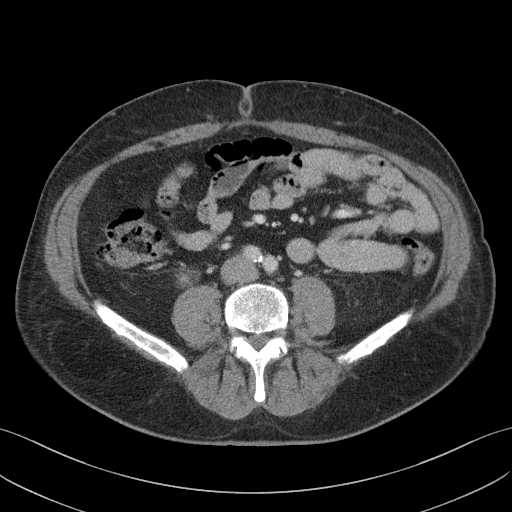
One axial slice (52 of 103, counting up from the lowest) of a contrast-enhanced abdominal CT acquired with 100 kVp, kernel I41f; each pixel is 0.742 mm and the slice is 4.00 mm thick.
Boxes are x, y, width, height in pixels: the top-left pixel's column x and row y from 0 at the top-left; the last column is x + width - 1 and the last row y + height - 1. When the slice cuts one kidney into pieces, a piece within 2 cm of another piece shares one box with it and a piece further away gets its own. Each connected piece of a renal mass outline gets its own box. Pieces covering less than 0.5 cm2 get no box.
Box x 175, y 266, width 24, height 20: right kidney (outlined area 344 px, about 1.9 cm2). This slice carries no renal mass outline.